Abdominal CT with intravenous contrast, arterial phase, axial plane, 120 kVp, kernel B20f. Slice 621/719 from the bottom of the scan; thickness 1.00 mm; pixel size 0.766 mm.
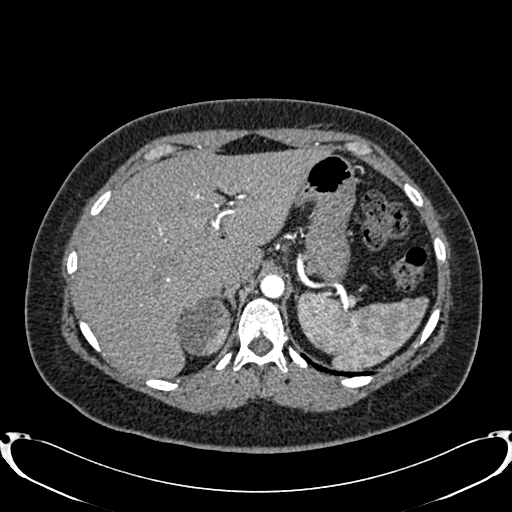
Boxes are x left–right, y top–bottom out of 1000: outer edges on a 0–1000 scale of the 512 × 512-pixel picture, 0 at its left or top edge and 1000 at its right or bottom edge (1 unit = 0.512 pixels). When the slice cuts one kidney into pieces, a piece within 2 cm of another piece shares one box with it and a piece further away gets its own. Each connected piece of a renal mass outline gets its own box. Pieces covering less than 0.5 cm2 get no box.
Right renal mass, box x 342–455, y 580–695 out of 1000 (outlined area 2,566 px, about 15.0 cm2); this slice has no kidney outline, though on another slice the same outlined renal mass lies within 1 cm of the kidney.